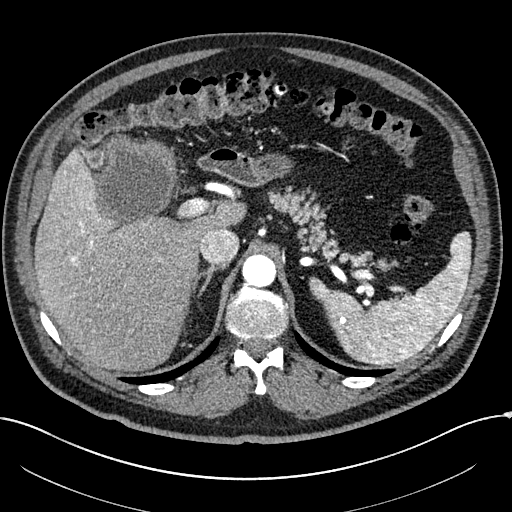
Abdominal CT with intravenous contrast, arterial phase, axial plane, 100 kVp, kernel I30f. Slice 185/304 from the bottom of the scan; thickness 2.00 mm; pixel size 0.809 mm.
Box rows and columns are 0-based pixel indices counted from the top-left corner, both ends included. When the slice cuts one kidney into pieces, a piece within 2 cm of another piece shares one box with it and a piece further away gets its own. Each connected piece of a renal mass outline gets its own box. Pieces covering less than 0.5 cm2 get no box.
Box rows 133–225, columns 97–177: right renal mass (outlined area 6,078 px, about 39.7 cm2); no kidney outline appears on this slice, but the same outlined renal mass comes within 1 cm of the kidney on another slice.